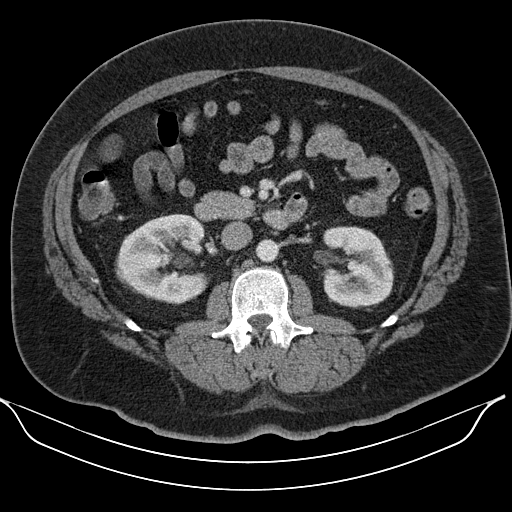
Abdominal CT with intravenous contrast, arterial phase, axial plane, 130 kVp, kernel B30s. Slice 67/110 from the bottom of the scan; thickness 5.00 mm; pixel size 0.836 mm.
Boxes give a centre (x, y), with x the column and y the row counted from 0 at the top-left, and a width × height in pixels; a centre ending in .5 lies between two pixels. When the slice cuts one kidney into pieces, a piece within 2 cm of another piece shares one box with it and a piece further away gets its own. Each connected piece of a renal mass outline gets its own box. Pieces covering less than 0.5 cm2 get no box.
Boxed on this slice (two kidney boxes and one renal mass box), listed by box centre from the image's left to its right: (1) Right renal mass in a box with centre (132, 265.5), 35 × 34 pixels (outlined area 921 px, about 6.4 cm2). (2) Box centre (163.5, 258.5), 92 × 92 pixels: right kidney (outlined area 5,277 px, about 36.9 cm2). (3) Box centre (357.5, 267), 72 × 83 pixels: left kidney (outlined area 4,808 px, about 33.6 cm2).